Axial slice 393 of 673 of a contrast-enhanced abdominal CT in the arterial phase (slice 1 is the lowest), 140 kVp, kernel I30f; 1.00 mm slice thickness and 0.957 mm pixels.
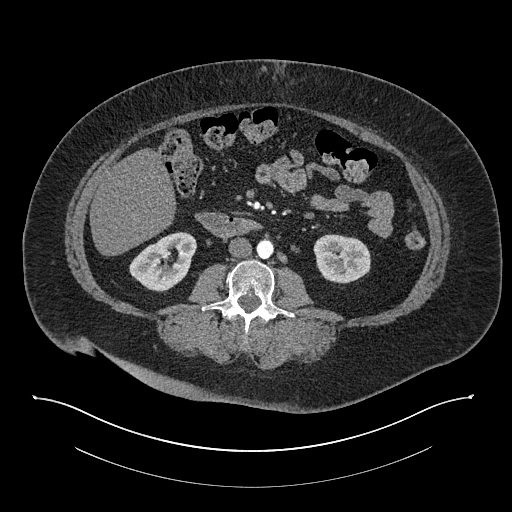
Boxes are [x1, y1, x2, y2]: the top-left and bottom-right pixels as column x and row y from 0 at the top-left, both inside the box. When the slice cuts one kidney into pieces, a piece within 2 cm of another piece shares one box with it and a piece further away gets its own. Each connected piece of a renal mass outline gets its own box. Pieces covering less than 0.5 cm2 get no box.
Two kidney boxes on this slice; by box centre, from the image's left to its right: (1) Right kidney, box [129, 232, 196, 291] (outlined area 2,720 px, about 24.9 cm2). (2) Left kidney, box [313, 234, 370, 283] (outlined area 2,295 px, about 21.0 cm2). No renal mass is outlined on this slice.